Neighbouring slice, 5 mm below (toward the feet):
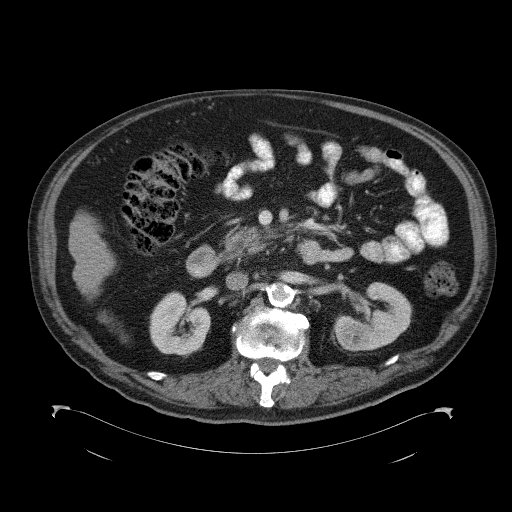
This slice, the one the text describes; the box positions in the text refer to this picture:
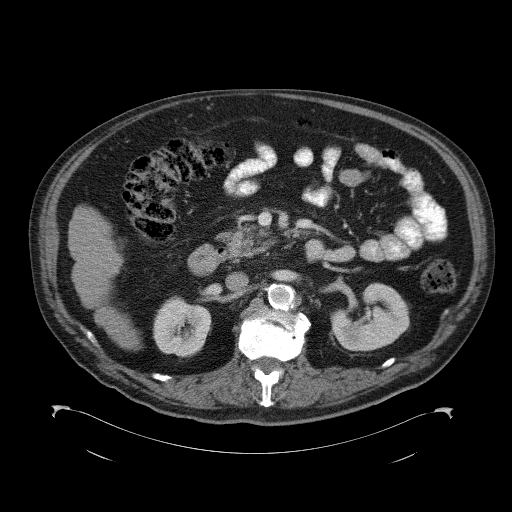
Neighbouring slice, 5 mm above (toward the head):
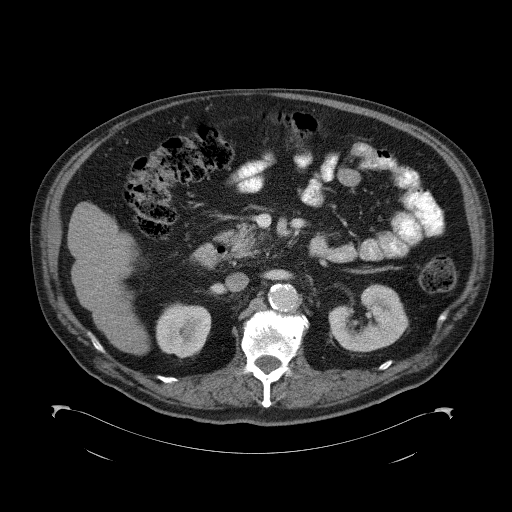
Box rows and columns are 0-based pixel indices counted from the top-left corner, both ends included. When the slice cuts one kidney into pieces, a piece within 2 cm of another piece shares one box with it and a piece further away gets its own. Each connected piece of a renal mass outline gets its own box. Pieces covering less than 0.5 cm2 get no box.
Slice 61/98 of a contrast-enhanced abdominal CT, counting up from the lowest; pixel size 0.965 mm, slice thickness 5.00 mm. Three boxes on this slice (two kidney boxes and one renal mass box), listed by box centre from the image's left to its right. (1) Right kidney, box rows 296–357, columns 153–211 (outlined area 2,744 px, about 25.5 cm2). (2) Box rows 323–340, columns 342–360: left renal mass (outlined area 243 px, about 2.3 cm2). (3) Left kidney, box rows 282–350, columns 330–409 (outlined area 3,522 px, about 32.8 cm2). This slice lies near the end of the left renal mass toward the head; the slices 5 mm below and 5 mm above it are shown too, and the boxes mark positions on this slice only.
Tube voltage 120 kVp; convolution kernel B41f.